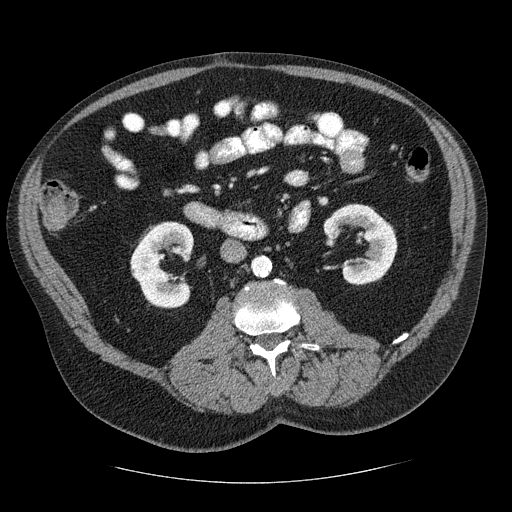
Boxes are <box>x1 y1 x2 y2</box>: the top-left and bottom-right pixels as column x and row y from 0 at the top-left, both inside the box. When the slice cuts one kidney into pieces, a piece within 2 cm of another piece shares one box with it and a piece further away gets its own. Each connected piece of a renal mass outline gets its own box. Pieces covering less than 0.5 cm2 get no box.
Contrast-enhanced abdominal CT, axial slice 122 of 206 (counted from the lowest slice); 2.50 mm thick, 0.879 mm per pixel. Two kidney boxes on this slice; by box centre, from the image's left to its right: (1) Right kidney at <box>130 221 194 308</box> (outlined area 3,952 px, about 30.5 cm2). (2) Left kidney at <box>323 203 397 282</box> (outlined area 3,680 px, about 28.4 cm2). This slice carries no renal mass outline.
Scan settings: 120 kVp, STANDARD reconstruction kernel.